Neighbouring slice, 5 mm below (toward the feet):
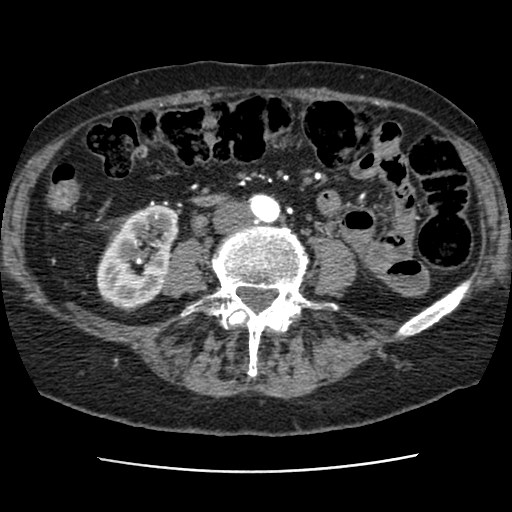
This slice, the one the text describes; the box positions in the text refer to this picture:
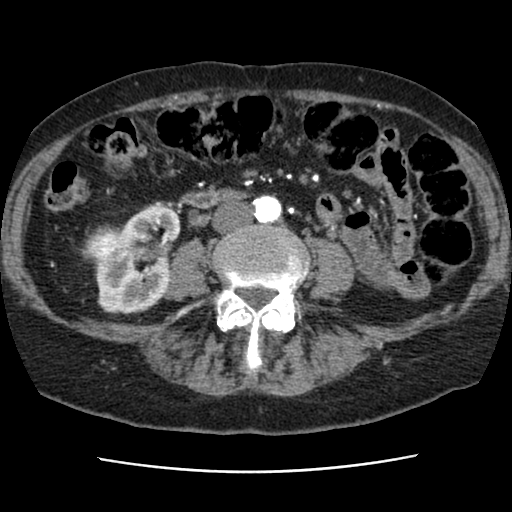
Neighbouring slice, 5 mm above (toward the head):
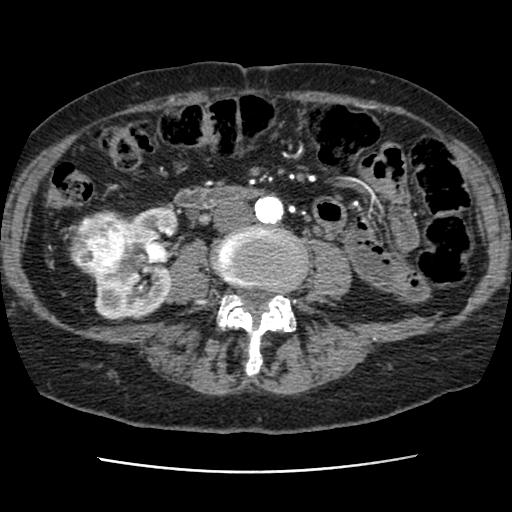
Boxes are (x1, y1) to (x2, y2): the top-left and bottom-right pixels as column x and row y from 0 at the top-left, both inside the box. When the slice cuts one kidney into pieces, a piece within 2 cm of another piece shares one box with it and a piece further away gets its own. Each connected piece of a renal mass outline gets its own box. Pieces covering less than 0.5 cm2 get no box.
Slice 24/76 of a contrast-enhanced abdominal CT, counting up from the lowest; pixel size 0.586 mm, slice thickness 2.50 mm. Two boxes on this slice (one kidney box and one renal mass box), listed by box centre from the image's left to its right. (1) Box (81, 224) to (135, 267): right renal mass (outlined area 1,821 px, about 6.3 cm2). (2) Box (94, 205) to (179, 314): right kidney (outlined area 5,447 px, about 18.7 cm2). This slice is near the end of the right renal mass toward the feet, so the slices 5 mm below and 5 mm above it are shown as well; the boxes refer to this slice only.
Acquired at 120 kVp and reconstructed with the STANDARD kernel.